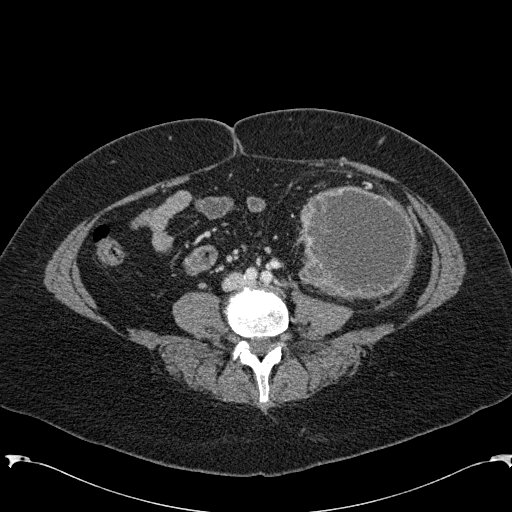
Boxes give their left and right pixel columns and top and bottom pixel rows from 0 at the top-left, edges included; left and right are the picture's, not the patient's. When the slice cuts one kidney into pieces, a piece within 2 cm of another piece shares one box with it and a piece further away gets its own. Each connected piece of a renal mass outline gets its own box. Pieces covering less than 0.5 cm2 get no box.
Arterial-phase contrast-enhanced abdominal CT, axial slice 41 of 285 (counted from the lowest slice); 2.00 mm thick, 0.762 mm per pixel. Left renal mass, the box with left 294, top 185, right 416, bottom 300 (outlined area 11,095 px, about 64.4 cm2); no kidney is outlined on this slice, but the same outlined renal mass comes within 1 cm of the kidney on another slice.
Scan settings: 120 kVp, B31f reconstruction kernel.